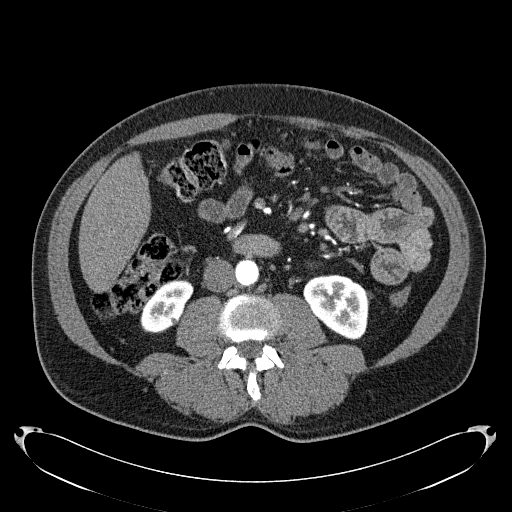
Abdominal CT with intravenous contrast, arterial phase, axial plane, 120 kVp, kernel B31f. Slice 83/279 from the bottom of the scan; thickness 2.00 mm; pixel size 0.824 mm.
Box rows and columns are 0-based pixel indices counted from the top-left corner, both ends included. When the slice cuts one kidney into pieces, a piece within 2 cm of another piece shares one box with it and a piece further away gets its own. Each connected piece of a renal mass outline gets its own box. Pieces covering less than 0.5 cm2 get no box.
Two kidney boxes on this slice; by box centre, from the image's left to its right: (1) Box rows 279–333, columns 140–193: right kidney (outlined area 1,917 px, about 13.0 cm2). (2) Box rows 274–339, columns 303–369: left kidney (outlined area 3,211 px, about 21.8 cm2). No renal mass is outlined on this slice.